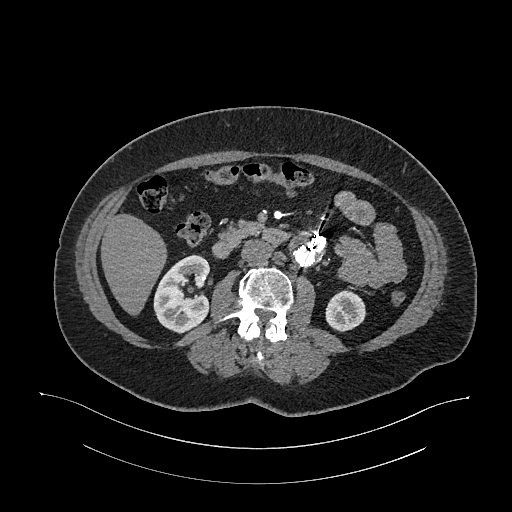
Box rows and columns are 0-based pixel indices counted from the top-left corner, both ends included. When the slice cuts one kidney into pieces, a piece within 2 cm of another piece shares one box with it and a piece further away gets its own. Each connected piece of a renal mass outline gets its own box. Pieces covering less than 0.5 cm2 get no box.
Slice 604/987 of a contrast-enhanced abdominal CT in the arterial phase, counting up from the lowest; pixel size 0.977 mm, slice thickness 1.00 mm. Two boxes on this slice (two kidney boxes), listed by box centre from the image's left to its right. (1) Right kidney at rows 254–333, columns 153–210 (outlined area 3,329 px, about 31.7 cm2). (2) Left kidney, box rows 290–332, columns 325–366 (outlined area 1,321 px, about 12.6 cm2). This slice carries no renal mass outline.
Scan settings: 120 kVp, I26f reconstruction kernel.